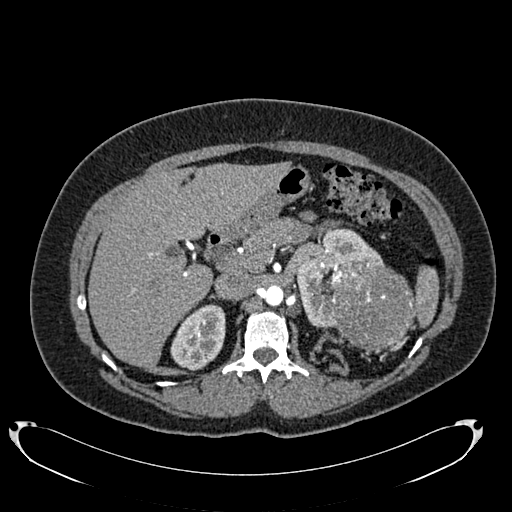
Axial slice 498 of 634 of a contrast-enhanced abdominal CT in the arterial phase (slice 1 is the lowest), 120 kVp, kernel B20f; 1.00 mm slice thickness and 0.838 mm pixels.
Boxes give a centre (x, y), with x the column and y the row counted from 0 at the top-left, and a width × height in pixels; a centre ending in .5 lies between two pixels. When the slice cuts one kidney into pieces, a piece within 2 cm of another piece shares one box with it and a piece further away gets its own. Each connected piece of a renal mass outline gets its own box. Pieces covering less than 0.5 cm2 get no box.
Two kidney boxes and one renal mass box on this slice; by box centre, from the image's left to its right: (1) Box centre (197.5, 337), 56 × 67 pixels: right kidney (outlined area 2,692 px, about 18.9 cm2). (2) Left kidney in a box with centre (339, 278), 87 × 99 pixels (outlined area 3,736 px, about 26.2 cm2). (3) Box centre (370.5, 306), 88 × 91 pixels: left renal mass (outlined area 6,248 px, about 43.9 cm2).